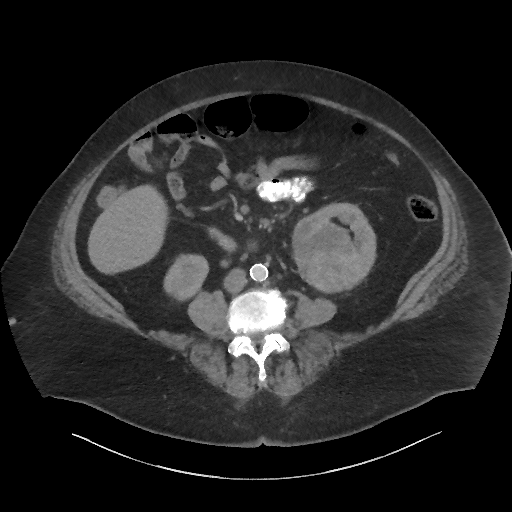
Abdominal CT with intravenous contrast, axial plane, 140 kVp, kernel I44f. Slice 20/86 from the bottom of the scan; thickness 3.00 mm; pixel size 0.977 mm.
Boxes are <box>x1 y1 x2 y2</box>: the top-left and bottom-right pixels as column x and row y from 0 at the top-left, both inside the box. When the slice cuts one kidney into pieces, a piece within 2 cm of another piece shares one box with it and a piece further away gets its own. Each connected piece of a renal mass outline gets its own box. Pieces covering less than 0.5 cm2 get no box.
Two kidney boxes and one renal mass box on this slice; by box centre, from the image's left to its right: (1) Right kidney at <box>163 254 209 301</box> (outlined area 1,598 px, about 15.2 cm2). (2) Left renal mass: <box>292 212 362 293</box> (outlined area 4,332 px, about 41.3 cm2). (3) Left kidney at <box>315 202 376 280</box> (outlined area 1,717 px, about 16.4 cm2).